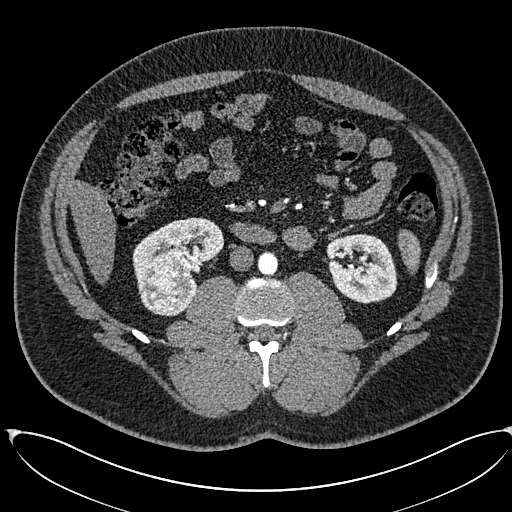
Abdominal CT with intravenous contrast, arterial phase, axial plane, 120 kVp, kernel I30f. Slice 301/673 from the bottom of the scan; thickness 1.00 mm; pixel size 0.855 mm.
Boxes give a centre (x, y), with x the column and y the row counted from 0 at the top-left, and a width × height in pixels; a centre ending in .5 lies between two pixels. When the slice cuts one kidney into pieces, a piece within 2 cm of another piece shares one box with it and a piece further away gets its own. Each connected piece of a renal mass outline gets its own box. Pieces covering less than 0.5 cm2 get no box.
Three boxes on this slice (two kidney boxes and one renal mass box), listed by box centre from the image's left to its right. (1) Right renal mass, box centre (165.5, 281.5), 52 × 70 pixels (outlined area 2,810 px, about 20.6 cm2). (2) Box centre (177.5, 263), 92 × 93 pixels: right kidney (outlined area 3,429 px, about 25.1 cm2). (3) Left kidney, box centre (361.5, 268.5), 72 × 70 pixels (outlined area 3,869 px, about 28.3 cm2).